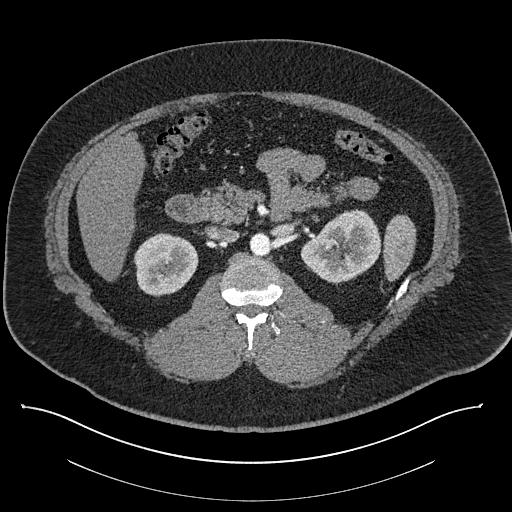
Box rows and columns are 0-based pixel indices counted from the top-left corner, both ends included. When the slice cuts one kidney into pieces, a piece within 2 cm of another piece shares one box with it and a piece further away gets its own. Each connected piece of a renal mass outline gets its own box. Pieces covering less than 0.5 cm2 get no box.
This is axial slice 510 of 787 (slice 1 is the lowest) of an abdominal CT with contrast; each pixel is 0.910 mm and the slice is 1.00 mm thick. Two kidney boxes on this slice; by box centre, from the image's left to its right: (1) Right kidney, box rows 232–296, columns 133–198 (outlined area 3,181 px, about 26.4 cm2). (2) Left kidney, box rows 209–285, columns 300–381 (outlined area 4,206 px, about 34.8 cm2). This slice carries no renal mass outline.
Acquired at 140 kVp and reconstructed with the I30f kernel.